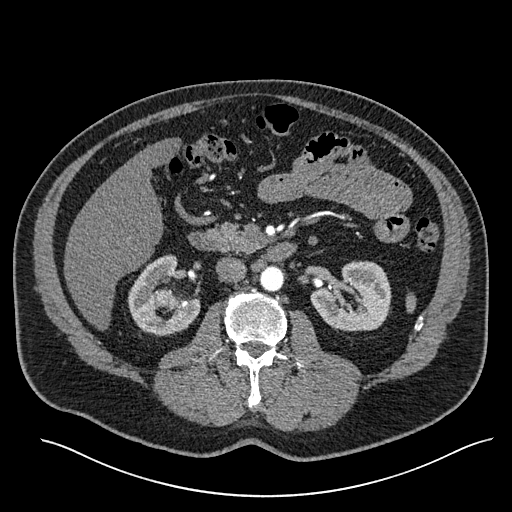
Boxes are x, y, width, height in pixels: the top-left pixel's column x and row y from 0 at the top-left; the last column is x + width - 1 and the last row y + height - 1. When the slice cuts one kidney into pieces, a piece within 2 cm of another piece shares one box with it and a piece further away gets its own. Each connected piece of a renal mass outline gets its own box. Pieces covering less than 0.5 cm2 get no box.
Slice 325/527 of a contrast-enhanced abdominal CT in the arterial phase, counting up from the lowest; pixel size 0.859 mm, slice thickness 1.00 mm. Two kidney boxes and one renal mass box on this slice; by box centre, from the image's left to its right: (1) Right kidney at x 127, y 255, width 74, height 82 (outlined area 3,440 px, about 25.4 cm2). (2) Right renal mass, box x 154, y 288, width 22, height 22 (outlined area 394 px, about 2.9 cm2). (3) Left kidney, box x 310, y 261, width 82, height 71 (outlined area 4,238 px, about 31.3 cm2).
Acquired at 120 kVp and reconstructed with the I30f kernel.